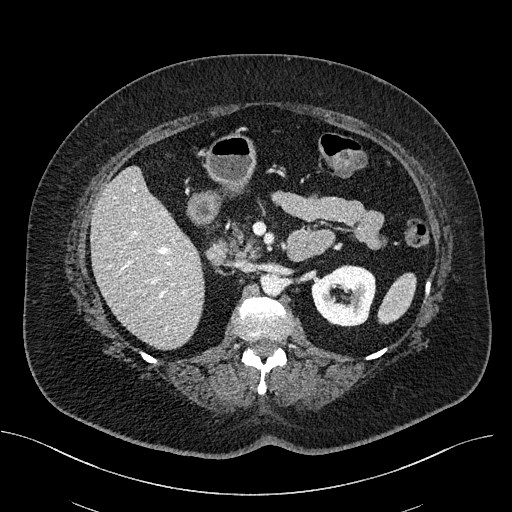
One axial slice (316 of 470, counting up from the lowest) of a contrast-enhanced abdominal CT acquired with 100 kVp, kernel I40f; each pixel is 0.824 mm and the slice is 2.00 mm thick.
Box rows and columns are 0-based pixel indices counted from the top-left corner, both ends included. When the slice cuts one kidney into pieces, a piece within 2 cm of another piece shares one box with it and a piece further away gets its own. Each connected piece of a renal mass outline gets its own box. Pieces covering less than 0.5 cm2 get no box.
Left kidney, box rows 264–326, columns 311–376 (outlined area 3,057 px, about 20.8 cm2). No renal mass is outlined on this slice.